Abdominal CT with intravenous contrast, arterial phase, axial plane, 120 kVp, kernel I30f. Slice 100/261 from the bottom of the scan; thickness 2.00 mm; pixel size 0.939 mm.
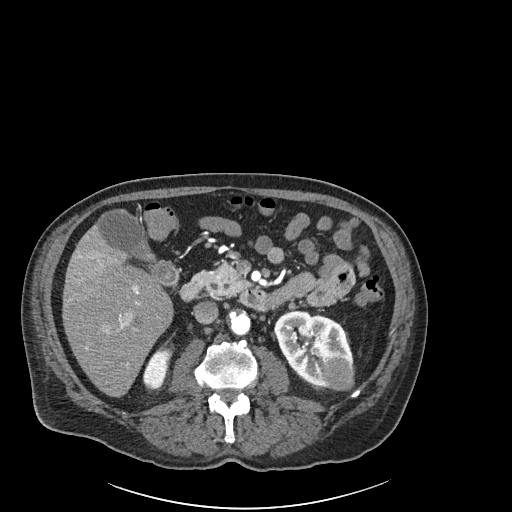
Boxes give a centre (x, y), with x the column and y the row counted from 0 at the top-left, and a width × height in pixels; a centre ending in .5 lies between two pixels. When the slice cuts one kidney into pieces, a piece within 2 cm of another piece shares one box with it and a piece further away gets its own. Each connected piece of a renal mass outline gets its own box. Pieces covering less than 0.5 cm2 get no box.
Three boxes on this slice (two kidney boxes and one renal mass box), listed by box centre from the image's left to its right. (1) Right kidney in a box with centre (156.5, 368), 28 × 41 pixels (outlined area 758 px, about 6.7 cm2). (2) Left kidney in a box with centre (313.5, 348.5), 80 × 78 pixels (outlined area 3,720 px, about 32.8 cm2). (3) Left renal mass, box centre (337, 372.5), 31 × 36 pixels (outlined area 901 px, about 8.0 cm2).